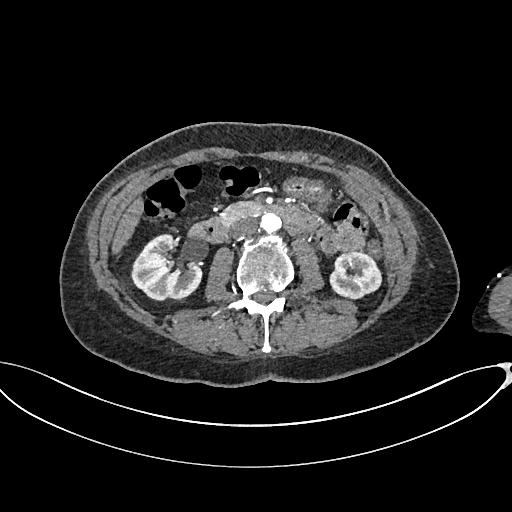
Abdominal CT with intravenous contrast, arterial phase, axial plane, 100 kVp, kernel I26f. Slice 358/665 from the bottom of the scan; thickness 1.00 mm; pixel size 0.828 mm.
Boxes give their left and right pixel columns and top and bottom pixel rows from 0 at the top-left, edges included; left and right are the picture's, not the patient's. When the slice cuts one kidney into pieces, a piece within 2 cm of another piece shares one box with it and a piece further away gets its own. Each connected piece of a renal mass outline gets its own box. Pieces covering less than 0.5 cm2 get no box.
Two boxes on this slice (two kidney boxes), listed by box centre from the image's left to its right. (1) Right kidney in the box with left 131, top 233, right 202, bottom 301 (outlined area 3,424 px, about 23.5 cm2). (2) Left kidney, the box with left 329, top 251, right 382, bottom 299 (outlined area 1,974 px, about 13.5 cm2). This slice carries no renal mass outline.